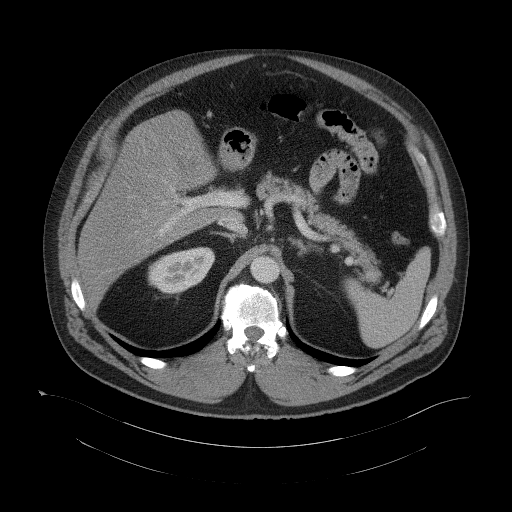
Contrast-enhanced abdominal CT, axial slice 78 of 104 (counted from the lowest slice); tube voltage 120 kVp, convolution kernel B41f; slices 5.00 mm thick, 0.977 mm per pixel.
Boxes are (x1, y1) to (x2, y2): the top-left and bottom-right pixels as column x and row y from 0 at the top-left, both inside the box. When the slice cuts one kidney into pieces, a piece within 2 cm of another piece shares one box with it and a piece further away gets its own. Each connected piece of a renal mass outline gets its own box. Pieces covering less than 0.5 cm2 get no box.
Right kidney, box (148, 247) to (214, 294) (outlined area 2,259 px, about 21.5 cm2). No renal mass outline on this slice.